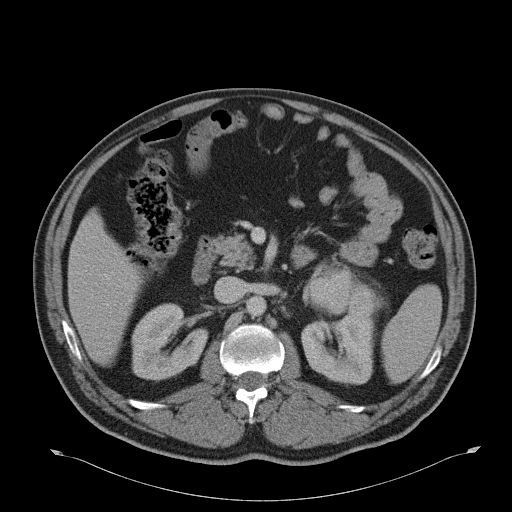
Abdominal CT with intravenous contrast, axial plane, 120 kVp, kernel B31f. Slice 24/51 from the bottom of the scan; thickness 5.00 mm; pixel size 0.865 mm.
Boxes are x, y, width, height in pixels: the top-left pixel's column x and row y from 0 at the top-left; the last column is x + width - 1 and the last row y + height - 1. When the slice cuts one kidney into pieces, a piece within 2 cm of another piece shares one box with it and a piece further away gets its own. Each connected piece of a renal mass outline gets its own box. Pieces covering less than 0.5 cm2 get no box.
Three boxes on this slice (two kidney boxes and one renal mass box), listed by box centre from the image's left to its right. (1) Box x 131, y 303, width 78, height 79: right kidney (outlined area 4,203 px, about 31.5 cm2). (2) Box x 301, y 316, width 74, height 69: left kidney (outlined area 4,023 px, about 30.1 cm2). (3) Left renal mass at x 310, y 266, width 76, height 53 (outlined area 2,675 px, about 20.0 cm2).